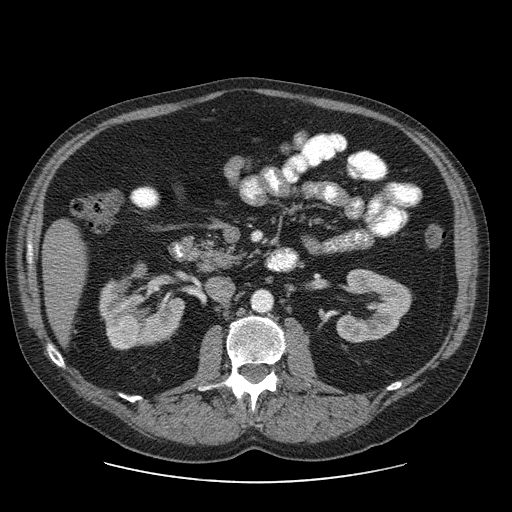
Abdominal CT with intravenous contrast, axial plane, 120 kVp, kernel STANDARD. Slice 38/103 from the bottom of the scan; thickness 2.50 mm; pixel size 0.820 mm.
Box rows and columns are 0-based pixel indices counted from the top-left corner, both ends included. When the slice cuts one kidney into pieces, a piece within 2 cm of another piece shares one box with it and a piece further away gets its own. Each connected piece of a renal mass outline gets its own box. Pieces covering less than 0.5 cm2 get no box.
Two kidney boxes and one renal mass box on this slice; by box centre, from the image's left to its right: (1) Box rows 315–350, columns 105–137: right renal mass (outlined area 927 px, about 6.2 cm2). (2) Right kidney at rows 261–346, columns 99–184 (outlined area 3,881 px, about 26.1 cm2). (3) Left kidney at rows 269–342, columns 336–412 (outlined area 3,510 px, about 23.6 cm2).